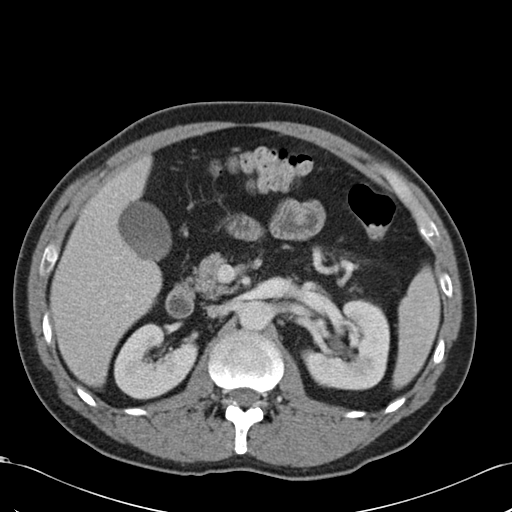
One axial slice (68 of 99, counting up from the lowest) of an arterial-phase abdominal CT acquired with 120 kVp, kernel B30f; each pixel is 0.693 mm and the slice is 5.00 mm thick.
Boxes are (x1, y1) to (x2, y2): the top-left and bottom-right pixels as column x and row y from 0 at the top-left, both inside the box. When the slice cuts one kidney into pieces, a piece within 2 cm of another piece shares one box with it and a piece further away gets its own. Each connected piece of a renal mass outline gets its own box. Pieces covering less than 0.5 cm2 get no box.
Boxed on this slice (two kidney boxes), listed by box centre from the image's left to its right: (1) Right kidney from (114, 323) to (198, 399) (outlined area 4,460 px, about 21.4 cm2). (2) Left kidney, box (300, 299) to (389, 390) (outlined area 5,930 px, about 28.5 cm2). No renal mass is outlined on this slice.